Arterial-phase contrast-enhanced abdominal CT, axial slice 270 of 541 (counted from the lowest slice); tube voltage 120 kVp, convolution kernel I30f; slices 1.00 mm thick, 0.834 mm per pixel.
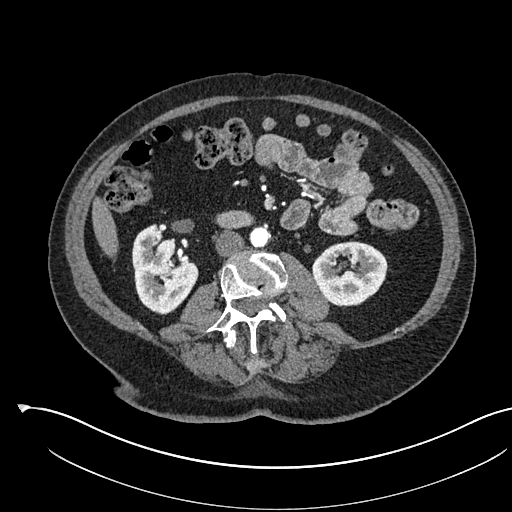
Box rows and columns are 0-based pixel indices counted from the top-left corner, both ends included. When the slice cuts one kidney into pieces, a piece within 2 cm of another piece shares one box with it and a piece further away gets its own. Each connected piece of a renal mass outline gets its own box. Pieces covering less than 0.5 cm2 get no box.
Boxed on this slice (two kidney boxes), listed by box centre from the image's left to its right: (1) Box rows 223–314, columns 132–197: right kidney (outlined area 4,174 px, about 29.0 cm2). (2) Left kidney, box rows 241–306, columns 312–387 (outlined area 3,750 px, about 26.1 cm2). No renal mass outline on this slice.